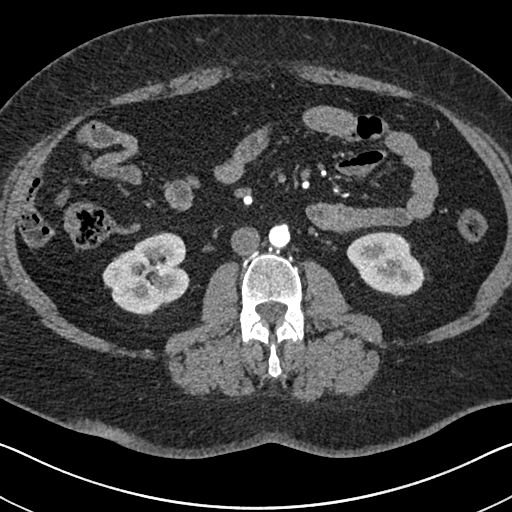
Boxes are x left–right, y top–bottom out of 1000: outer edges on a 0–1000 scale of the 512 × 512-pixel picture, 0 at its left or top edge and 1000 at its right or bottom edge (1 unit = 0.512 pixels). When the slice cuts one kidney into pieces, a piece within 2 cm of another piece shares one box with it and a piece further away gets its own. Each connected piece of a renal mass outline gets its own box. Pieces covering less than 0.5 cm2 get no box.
Slice 327/591 of a contrast-enhanced abdominal CT in the arterial phase, counting up from the lowest; pixel size 0.703 mm, slice thickness 1.00 mm. Two boxes on this slice (two kidney boxes), listed by box centre from the image's left to its right. (1) Right kidney at x 199–373, y 453–617 out of 1000 (outlined area 5,148 px, about 25.5 cm2). (2) Left kidney at x 676–832, y 451–582 out of 1000 (outlined area 3,647 px, about 18.0 cm2). No renal mass is outlined on this slice.
Tube voltage 140 kVp; convolution kernel I30f.